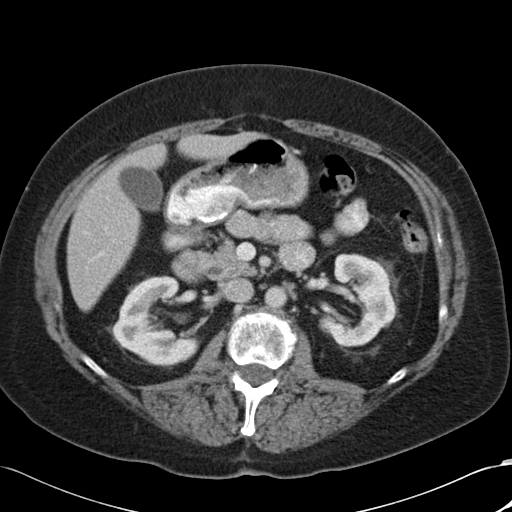
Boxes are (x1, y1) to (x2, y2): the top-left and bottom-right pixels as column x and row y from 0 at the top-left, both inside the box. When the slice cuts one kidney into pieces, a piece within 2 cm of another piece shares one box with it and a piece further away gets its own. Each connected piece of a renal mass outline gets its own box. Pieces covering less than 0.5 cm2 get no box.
This is axial slice 61 of 88 (slice 1 is the lowest) of an arterial-phase abdominal CT with contrast; each pixel is 0.691 mm and the slice is 5.00 mm thick. Two kidney boxes on this slice; by box centre, from the image's left to its right: (1) Box (113, 275) to (200, 366): right kidney (outlined area 5,139 px, about 24.6 cm2). (2) Box (321, 253) to (396, 346): left kidney (outlined area 4,712 px, about 22.5 cm2). No renal mass outline on this slice.
Tube voltage 120 kVp; convolution kernel B30f.